Abdominal CT with intravenous contrast, arterial phase, axial plane, 120 kVp, kernel I40f. Slice 26/69 from the bottom of the scan; thickness 3.00 mm; pixel size 0.664 mm.
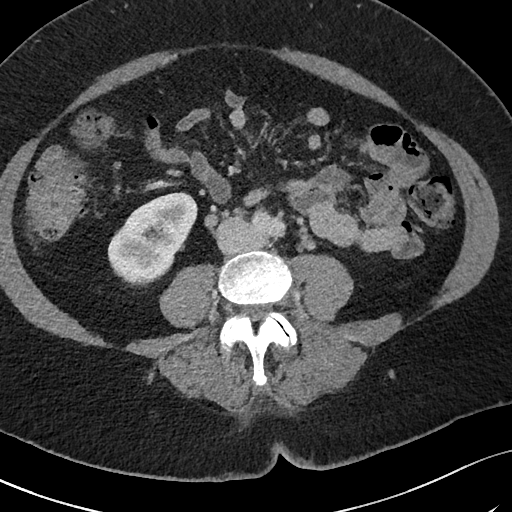
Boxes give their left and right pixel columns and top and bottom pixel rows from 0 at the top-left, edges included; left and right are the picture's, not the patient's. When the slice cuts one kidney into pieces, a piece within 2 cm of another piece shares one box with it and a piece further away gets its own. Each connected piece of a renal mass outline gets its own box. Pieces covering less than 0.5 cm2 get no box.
Box with left 107, top 192, right 197, bottom 286: right kidney (outlined area 5,585 px, about 24.6 cm2). This slice carries no renal mass outline.